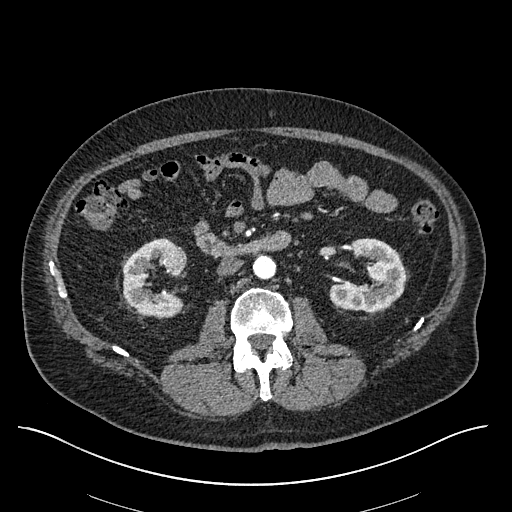
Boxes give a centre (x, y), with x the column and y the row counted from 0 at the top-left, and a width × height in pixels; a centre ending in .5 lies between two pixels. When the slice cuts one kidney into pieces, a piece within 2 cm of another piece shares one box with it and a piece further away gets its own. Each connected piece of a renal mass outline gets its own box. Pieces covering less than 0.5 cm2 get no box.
This is axial slice 305 of 670 (slice 1 is the lowest) of an arterial-phase abdominal CT with contrast; each pixel is 0.861 mm and the slice is 1.00 mm thick. Two kidney boxes and one renal mass box on this slice; by box centre, from the image's left to its right: (1) Right kidney in a box with centre (154, 277.5), 65 × 80 pixels (outlined area 3,131 px, about 23.2 cm2). (2) Right renal mass, box centre (174.5, 256.5), 26 × 26 pixels (outlined area 531 px, about 3.9 cm2). (3) Left kidney, box centre (367, 274), 79 × 75 pixels (outlined area 3,759 px, about 27.9 cm2).
Acquired at 120 kVp and reconstructed with the I30f kernel.